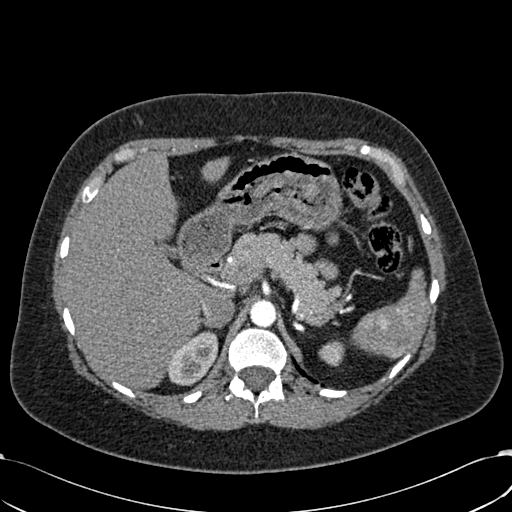
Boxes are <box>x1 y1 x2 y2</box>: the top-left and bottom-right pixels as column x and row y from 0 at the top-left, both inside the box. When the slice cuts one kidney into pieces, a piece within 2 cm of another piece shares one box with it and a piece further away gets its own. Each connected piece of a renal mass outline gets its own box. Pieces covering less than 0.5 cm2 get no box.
Arterial-phase contrast-enhanced abdominal CT, axial slice 446 of 532 (counted from the lowest slice); 1.00 mm thick, 0.713 mm per pixel. Two kidney boxes on this slice; by box centre, from the image's left to its right: (1) Right kidney: <box>167 330 218 385</box> (outlined area 1,962 px, about 10.0 cm2). (2) Left kidney at <box>318 340 344 366</box> (outlined area 513 px, about 2.6 cm2). No renal mass is outlined on this slice.
Acquired at 120 kVp and reconstructed with the B30f kernel.